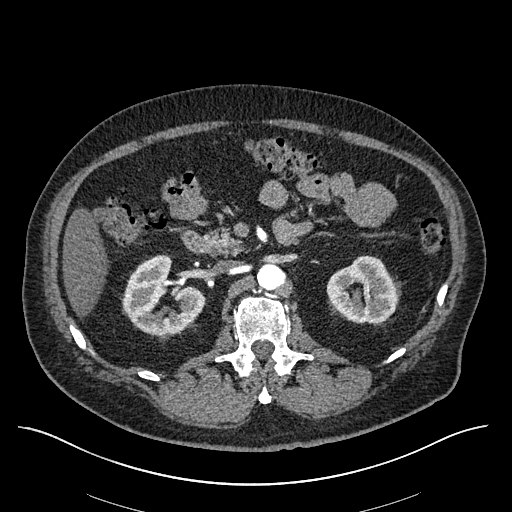
Abdominal CT with intravenous contrast, arterial phase, axial plane, 120 kVp, kernel I30f. Slice 356/670 from the bottom of the scan; thickness 1.00 mm; pixel size 0.861 mm.
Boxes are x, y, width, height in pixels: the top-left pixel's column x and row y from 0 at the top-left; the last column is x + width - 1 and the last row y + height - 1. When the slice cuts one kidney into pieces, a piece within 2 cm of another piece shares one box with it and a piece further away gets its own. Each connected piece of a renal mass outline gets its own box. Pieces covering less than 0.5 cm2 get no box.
Two boxes on this slice (two kidney boxes), listed by box centre from the image's left to its right. (1) Box x 121, y 254, width 84, height 82: right kidney (outlined area 4,455 px, about 33.1 cm2). (2) Left kidney at x 326, y 255, width 75, height 69 (outlined area 3,688 px, about 27.4 cm2). No renal mass outline on this slice.